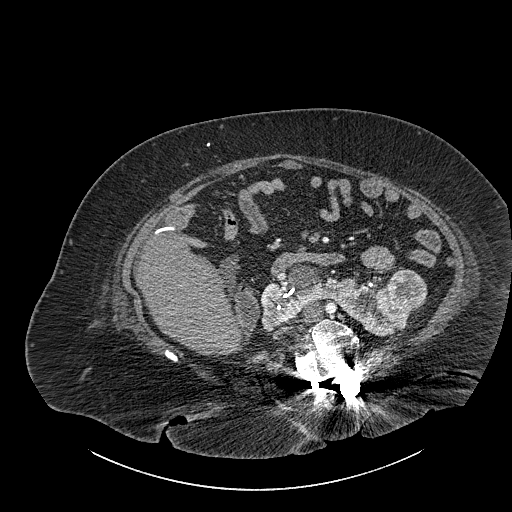
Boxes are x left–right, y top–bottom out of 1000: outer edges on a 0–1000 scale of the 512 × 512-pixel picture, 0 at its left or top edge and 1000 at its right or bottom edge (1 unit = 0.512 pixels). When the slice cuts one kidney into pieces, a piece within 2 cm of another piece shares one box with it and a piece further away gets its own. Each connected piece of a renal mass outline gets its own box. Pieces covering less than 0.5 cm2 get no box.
This is axial slice 501 of 834 (slice 1 is the lowest) of an abdominal CT with contrast; each pixel is 0.977 mm and the slice is 1.00 mm thick. One kidney box and one renal mass box on this slice; by box centre, from the image's left to its right: (1) Kidney crossing the body midline, box x 508–822, y 514–658 out of 1000 (outlined area 5,522 px, about 52.7 cm2). (2) Box x 756–834, y 525–607 out of 1000: renal mass (outlined area 1,382 px, about 13.2 cm2).
Tube voltage 140 kVp; convolution kernel I30f.